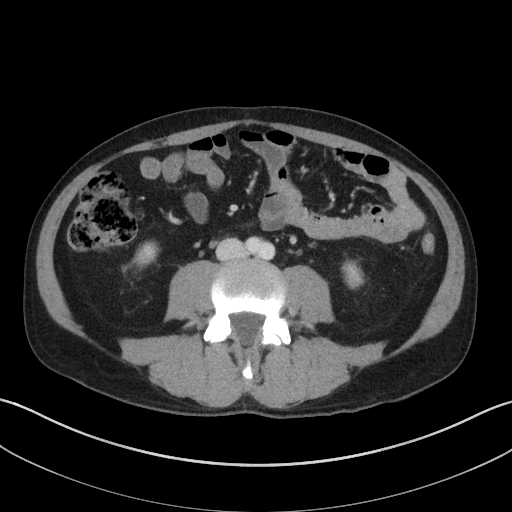
One axial slice (49 of 143, counting up from the lowest) of a contrast-enhanced abdominal CT acquired with 100 kVp, kernel I41f; each pixel is 0.734 mm and the slice is 5.00 mm thick.
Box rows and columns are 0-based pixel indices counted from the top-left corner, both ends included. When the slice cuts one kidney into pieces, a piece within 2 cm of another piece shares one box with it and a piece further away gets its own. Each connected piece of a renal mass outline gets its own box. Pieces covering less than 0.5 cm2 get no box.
Boxed on this slice (two kidney boxes), listed by box centre from the image's left to its right: (1) Right kidney, box rows 241–269, columns 130–159 (outlined area 539 px, about 2.9 cm2). (2) Left kidney, box rows 259–289, columns 341–364 (outlined area 515 px, about 2.8 cm2). This slice carries no renal mass outline.